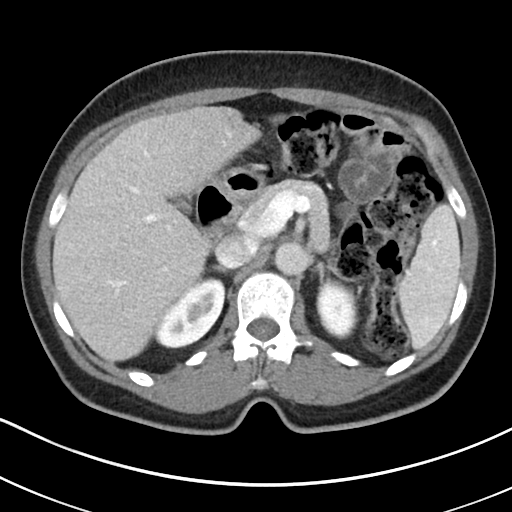
Contrast-enhanced abdominal CT, axial slice 131 of 178 (counted from the lowest slice); tube voltage 100 kVp, convolution kernel I30f; slices 5.00 mm thick, 0.650 mm per pixel.
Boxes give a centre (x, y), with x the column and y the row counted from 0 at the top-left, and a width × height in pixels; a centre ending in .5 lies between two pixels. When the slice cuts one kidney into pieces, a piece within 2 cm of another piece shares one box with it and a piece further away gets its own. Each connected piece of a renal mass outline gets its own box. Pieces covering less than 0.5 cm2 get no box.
Two boxes on this slice (two kidney boxes), listed by box centre from the image's left to its right. (1) Box centre (189.5, 312.5), 70 × 72 pixels: right kidney (outlined area 3,218 px, about 13.6 cm2). (2) Left kidney, box centre (337, 307.5), 45 × 62 pixels (outlined area 2,063 px, about 8.7 cm2). No renal mass is outlined on this slice.